One axial slice (15 of 68, counting up from the lowest) of an arterial-phase abdominal CT acquired with 120 kVp, kernel B31f; each pixel is 0.961 mm and the slice is 5.00 mm thick.
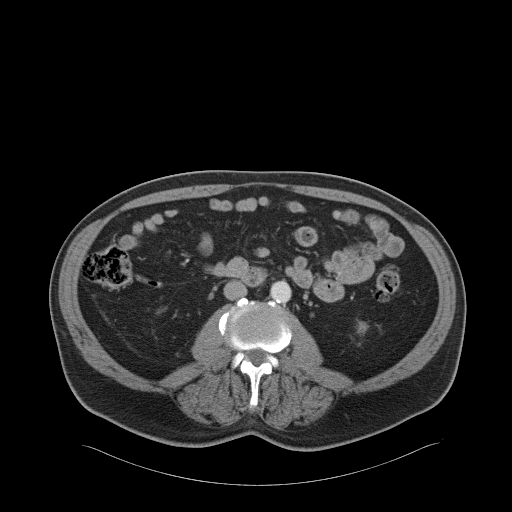
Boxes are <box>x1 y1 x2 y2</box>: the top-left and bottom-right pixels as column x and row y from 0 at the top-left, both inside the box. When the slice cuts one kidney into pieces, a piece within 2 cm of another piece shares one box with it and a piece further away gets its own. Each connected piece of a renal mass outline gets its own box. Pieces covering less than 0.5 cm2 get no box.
At <box>357 321 368 334</box>: left kidney (outlined area 125 px, about 1.2 cm2). This slice carries no renal mass outline.